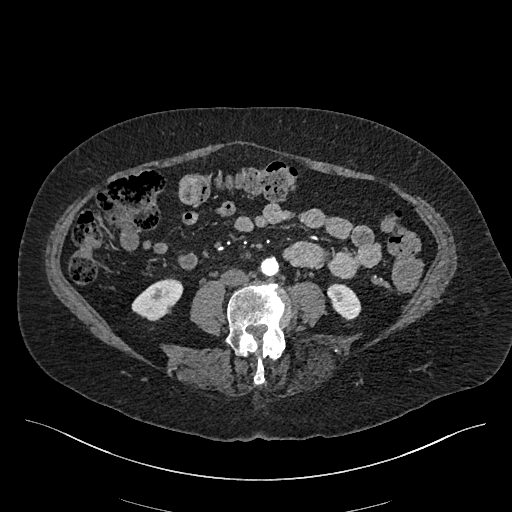
One axial slice (158 of 548, counting up from the lowest) of an arterial-phase abdominal CT acquired with 120 kVp, kernel I26f; each pixel is 0.852 mm and the slice is 1.00 mm thick.
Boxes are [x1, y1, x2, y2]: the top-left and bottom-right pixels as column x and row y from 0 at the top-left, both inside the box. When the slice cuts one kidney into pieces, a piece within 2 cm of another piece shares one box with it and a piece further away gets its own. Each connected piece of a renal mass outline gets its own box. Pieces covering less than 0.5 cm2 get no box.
Two kidney boxes on this slice; by box centre, from the image's left to its right: (1) Right kidney at [131, 278, 183, 321] (outlined area 1,426 px, about 10.3 cm2). (2) Left kidney, box [327, 283, 361, 320] (outlined area 886 px, about 6.4 cm2). No renal mass is outlined on this slice.